One axial slice (278 of 602, counting up from the lowest) of an arterial-phase abdominal CT acquired with 120 kVp, kernel I30f; each pixel is 0.799 mm and the slice is 1.00 mm thick.
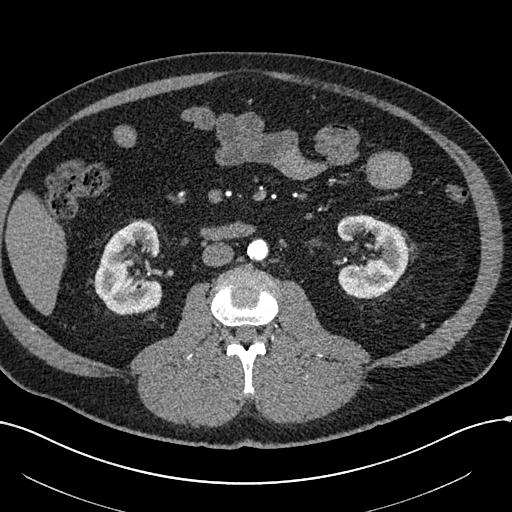
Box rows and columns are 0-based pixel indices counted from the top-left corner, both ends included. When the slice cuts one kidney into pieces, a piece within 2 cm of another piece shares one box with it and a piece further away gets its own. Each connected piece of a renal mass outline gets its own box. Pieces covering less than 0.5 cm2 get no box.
Boxed on this slice (two kidney boxes), listed by box centre from the image's left to its right: (1) Right kidney, box rows 220–314, columns 94–162 (outlined area 4,695 px, about 30.0 cm2). (2) Left kidney at rows 214–297, columns 337–408 (outlined area 4,275 px, about 27.3 cm2). No renal mass outline on this slice.